One axial slice (413 of 673, counting up from the lowest) of an arterial-phase abdominal CT acquired with 120 kVp, kernel I30f; each pixel is 0.855 mm and the slice is 1.00 mm thick.
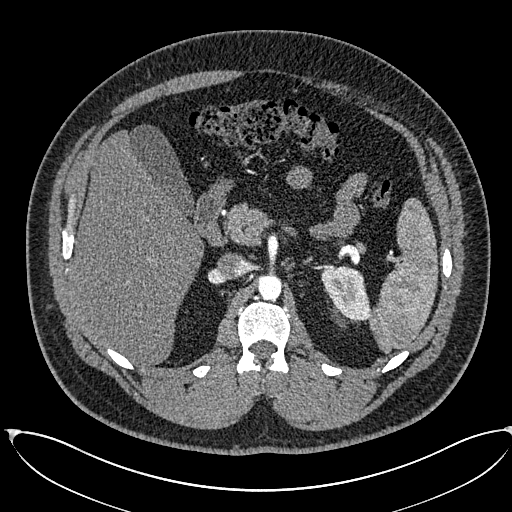
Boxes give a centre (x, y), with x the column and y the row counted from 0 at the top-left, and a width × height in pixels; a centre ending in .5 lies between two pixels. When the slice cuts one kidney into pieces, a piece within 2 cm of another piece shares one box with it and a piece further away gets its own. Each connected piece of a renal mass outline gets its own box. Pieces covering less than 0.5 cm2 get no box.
Left kidney in a box with centre (345.5, 292), 50 × 55 pixels (outlined area 1,968 px, about 14.4 cm2). No renal mass outline on this slice.